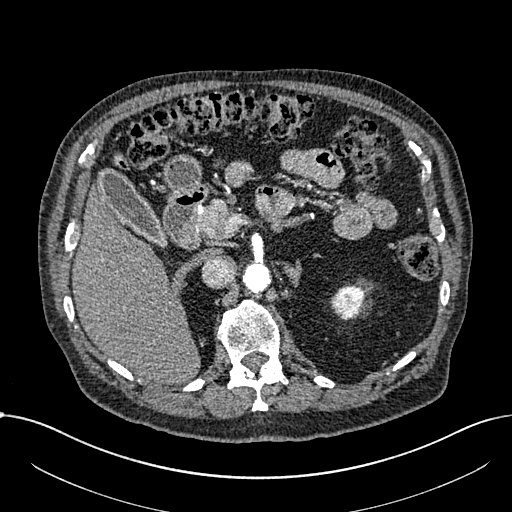
Axial slice 463 of 1059 of a contrast-enhanced abdominal CT in the arterial phase (slice 1 is the lowest), 100 kVp, kernel I30f; 1.00 mm slice thickness and 0.811 mm pixels.
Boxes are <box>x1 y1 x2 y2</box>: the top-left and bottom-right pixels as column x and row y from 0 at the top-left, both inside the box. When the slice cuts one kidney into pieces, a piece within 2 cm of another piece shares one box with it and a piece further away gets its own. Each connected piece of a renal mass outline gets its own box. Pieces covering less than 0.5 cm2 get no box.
At <box>330 283 364 320</box>: left part of the midline-crossing kidney (outlined area 937 px, about 6.2 cm2). This slice carries no renal mass outline.